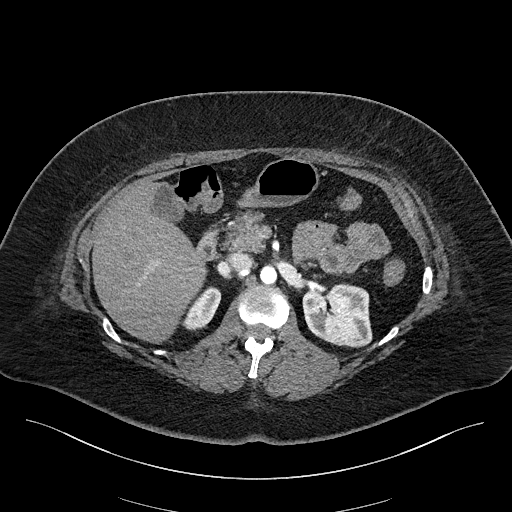
One axial slice (126 of 270, counting up from the lowest) of an arterial-phase abdominal CT acquired with 100 kVp, kernel I40f; each pixel is 0.855 mm and the slice is 2.00 mm thick.
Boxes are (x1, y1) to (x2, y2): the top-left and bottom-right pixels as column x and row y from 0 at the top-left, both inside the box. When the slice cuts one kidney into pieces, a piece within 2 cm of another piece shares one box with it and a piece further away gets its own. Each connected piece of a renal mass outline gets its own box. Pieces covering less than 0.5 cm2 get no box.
Two kidney boxes on this slice; by box centre, from the image's left to its right: (1) Right kidney, box (183, 286) to (221, 330) (outlined area 1,031 px, about 7.5 cm2). (2) Box (302, 283) to (372, 347): left kidney (outlined area 3,688 px, about 27.0 cm2). No renal mass outline on this slice.